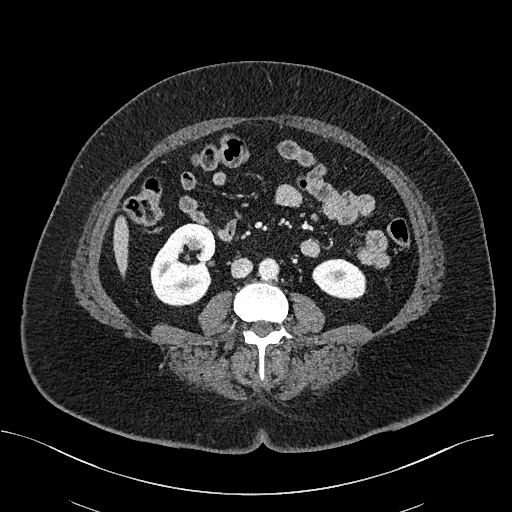
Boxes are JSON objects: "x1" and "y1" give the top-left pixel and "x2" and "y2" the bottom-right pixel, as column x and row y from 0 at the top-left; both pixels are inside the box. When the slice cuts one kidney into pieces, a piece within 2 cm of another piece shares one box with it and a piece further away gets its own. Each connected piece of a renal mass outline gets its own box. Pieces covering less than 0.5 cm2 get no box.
Contrast-enhanced abdominal CT, axial slice 262 of 470 (counted from the lowest slice); 2.00 mm thick, 0.824 mm per pixel. Two boxes on this slice (two kidney boxes), listed by box centre from the image's left to its right. (1) Right kidney, box {"x1": 149, "y1": 223, "x2": 215, "y2": 306} (outlined area 4,083 px, about 27.7 cm2). (2) Left kidney at {"x1": 312, "y1": 258, "x2": 366, "y2": 299} (outlined area 1,721 px, about 11.7 cm2). This slice carries no renal mass outline.
Acquired at 100 kVp and reconstructed with the I40f kernel.